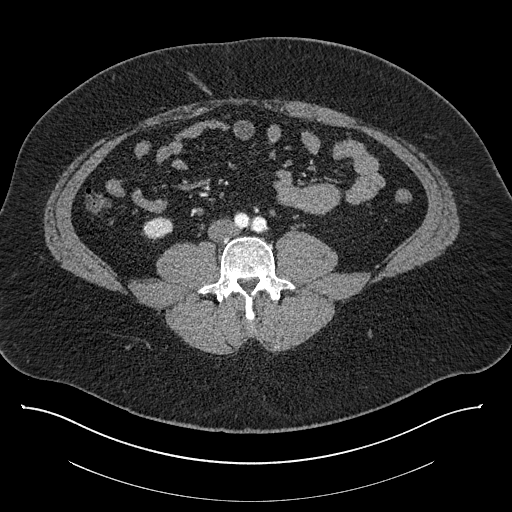
Contrast-enhanced abdominal CT, axial slice 322 of 787 (counted from the lowest slice); tube voltage 140 kVp, convolution kernel I30f; slices 1.00 mm thick, 0.910 mm per pixel.
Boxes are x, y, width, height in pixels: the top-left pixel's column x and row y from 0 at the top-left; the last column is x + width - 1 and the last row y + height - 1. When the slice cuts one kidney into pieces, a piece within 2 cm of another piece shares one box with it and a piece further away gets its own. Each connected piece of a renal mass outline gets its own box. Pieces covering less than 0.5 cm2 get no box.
Right kidney, box x 142, y 216, width 32, height 25 (outlined area 554 px, about 4.6 cm2). No renal mass is outlined on this slice.